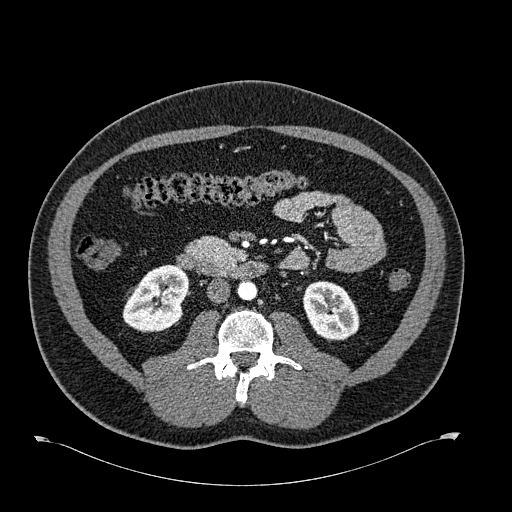
Abdominal CT with intravenous contrast, arterial phase, axial plane, 120 kVp, kernel B30f. Slice 321/723 from the bottom of the scan; thickness 1.00 mm; pixel size 0.895 mm.
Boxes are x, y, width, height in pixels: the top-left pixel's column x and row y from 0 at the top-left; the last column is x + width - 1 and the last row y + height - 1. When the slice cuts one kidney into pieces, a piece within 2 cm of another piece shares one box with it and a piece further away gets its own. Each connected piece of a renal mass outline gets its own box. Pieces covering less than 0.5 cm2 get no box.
Two kidney boxes on this slice; by box centre, from the image's left to its right: (1) Right kidney at x 122, y 264, width 66, height 69 (outlined area 3,265 px, about 26.1 cm2). (2) Box x 302, y 281, width 58, height 61: left kidney (outlined area 2,608 px, about 20.9 cm2). No renal mass outline on this slice.